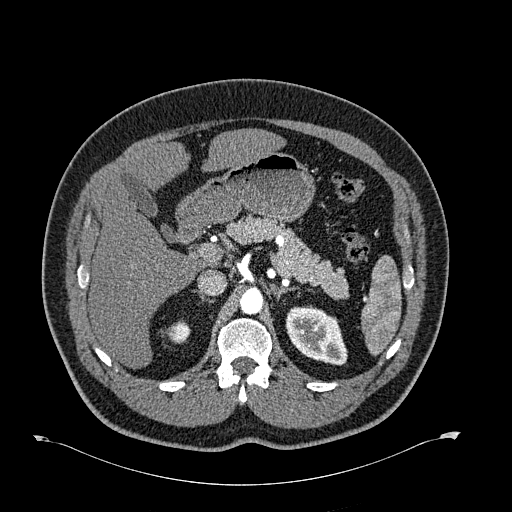
Axial slice 455 of 723 of a contrast-enhanced abdominal CT in the arterial phase (slice 1 is the lowest), 120 kVp, kernel B30f; 1.00 mm slice thickness and 0.895 mm pixels.
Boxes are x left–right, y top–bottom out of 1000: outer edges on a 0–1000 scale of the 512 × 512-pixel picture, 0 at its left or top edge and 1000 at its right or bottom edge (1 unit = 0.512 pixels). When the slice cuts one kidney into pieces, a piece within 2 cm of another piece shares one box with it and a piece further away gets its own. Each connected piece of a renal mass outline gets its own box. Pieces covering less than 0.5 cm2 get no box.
Two boxes on this slice (two kidney boxes), listed by box centre from the image's left to its right. (1) Right kidney at x 326–371, y 627–670 out of 1000 (outlined area 374 px, about 3.0 cm2). (2) Box x 557–680, y 596–715 out of 1000: left kidney (outlined area 2,677 px, about 21.4 cm2). No renal mass outline on this slice.